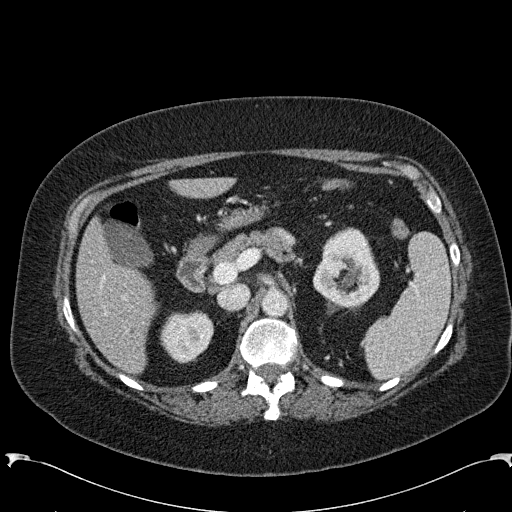
Arterial-phase contrast-enhanced abdominal CT, axial slice 164 of 285 (counted from the lowest slice); tube voltage 120 kVp, convolution kernel B31f; slices 2.00 mm thick, 0.762 mm per pixel.
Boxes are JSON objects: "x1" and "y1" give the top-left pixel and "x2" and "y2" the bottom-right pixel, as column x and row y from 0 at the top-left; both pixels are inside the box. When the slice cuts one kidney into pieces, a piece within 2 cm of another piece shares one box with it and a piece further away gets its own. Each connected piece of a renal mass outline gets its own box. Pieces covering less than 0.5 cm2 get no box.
Boxed on this slice (two kidney boxes), listed by box centre from the image's left to its right: (1) Box {"x1": 159, "y1": 310, "x2": 213, "y2": 363}: right kidney (outlined area 2,196 px, about 12.7 cm2). (2) Box {"x1": 312, "y1": 227, "x2": 380, "y2": 308}: left kidney (outlined area 3,963 px, about 23.0 cm2). This slice carries no renal mass outline.